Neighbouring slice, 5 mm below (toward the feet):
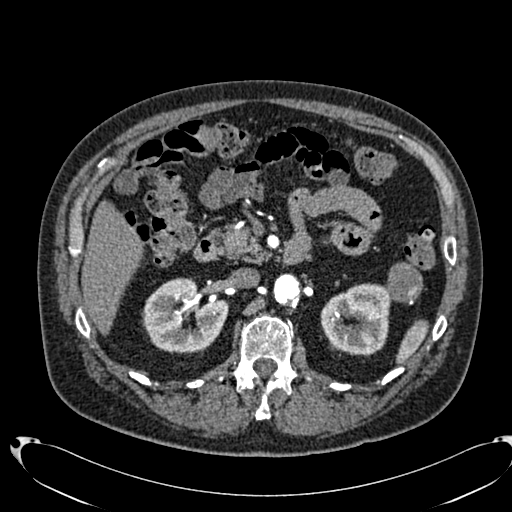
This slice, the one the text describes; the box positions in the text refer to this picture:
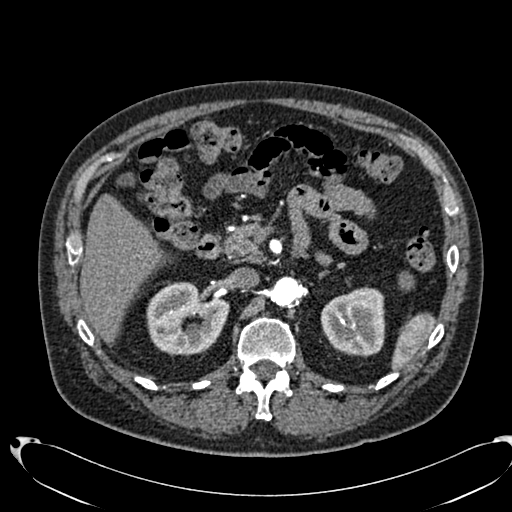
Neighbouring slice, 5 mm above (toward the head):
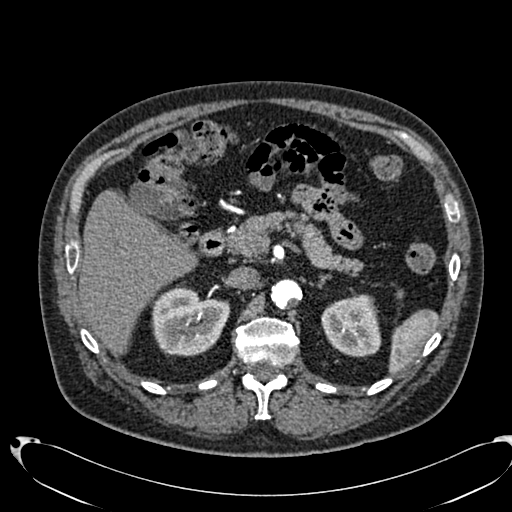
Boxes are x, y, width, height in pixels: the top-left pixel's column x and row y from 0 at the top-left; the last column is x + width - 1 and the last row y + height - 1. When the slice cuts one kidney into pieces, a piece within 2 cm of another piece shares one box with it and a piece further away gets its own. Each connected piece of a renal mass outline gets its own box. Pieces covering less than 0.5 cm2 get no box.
Arterial-phase contrast-enhanced abdominal CT, axial slice 455 of 553 (counted from the lowest slice); 1.00 mm thick, 0.773 mm per pixel. Two kidney boxes and one renal mass box on this slice; by box centre, from the image's left to its right: (1) Right kidney, box x 146, y 281, width 84, height 75 (outlined area 4,610 px, about 27.6 cm2). (2) Left kidney at x 321, y 286, width 65, height 71 (outlined area 3,604 px, about 21.6 cm2). (3) Box x 398, y 271, width 17, height 20: left renal mass (outlined area 254 px, about 1.5 cm2); here it is more than 1 cm from any kidney outline, though on another slice the same outlined renal mass lies within 1 cm of the kidney. This slice lies near the end of the left renal mass toward the head; the slices 5 mm below and 5 mm above it are shown too, and the boxes mark positions on this slice only.
Scan settings: 120 kVp, B20f reconstruction kernel.